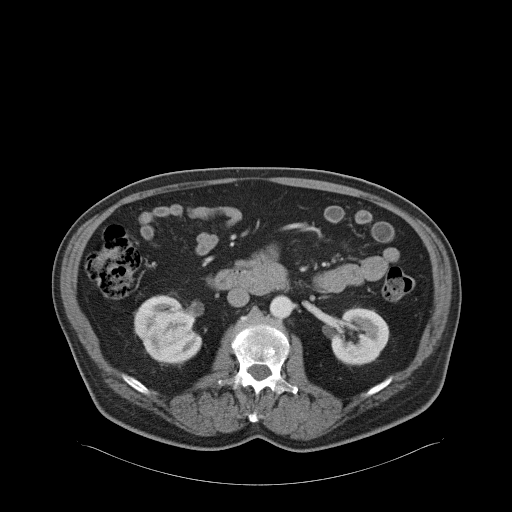
Axial slice 31 of 68 of a contrast-enhanced abdominal CT in the arterial phase (slice 1 is the lowest), 120 kVp, kernel B31f; 5.00 mm slice thickness and 0.961 mm pixels.
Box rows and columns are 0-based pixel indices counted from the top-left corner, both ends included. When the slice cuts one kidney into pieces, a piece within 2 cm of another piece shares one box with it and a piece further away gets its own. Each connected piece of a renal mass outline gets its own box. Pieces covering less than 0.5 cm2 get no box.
Three boxes on this slice (two kidney boxes and one renal mass box), listed by box centre from the image's left to its right. (1) Right kidney, box rows 295–364, columns 134–202 (outlined area 2,273 px, about 21.0 cm2). (2) Box rows 300–345, columns 147–203: right renal mass (outlined area 1,407 px, about 13.0 cm2). (3) Left kidney, box rows 307–365, columns 330–389 (outlined area 2,630 px, about 24.3 cm2).